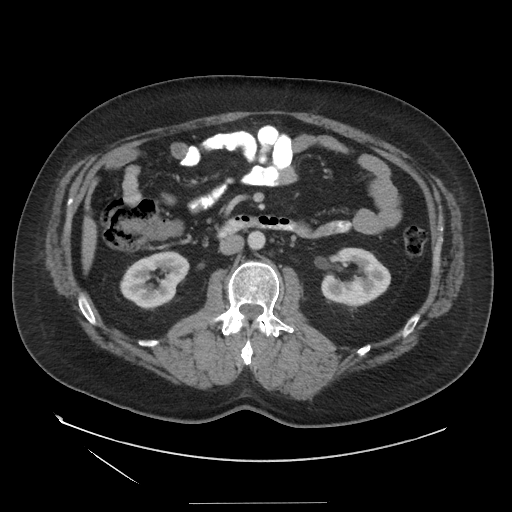
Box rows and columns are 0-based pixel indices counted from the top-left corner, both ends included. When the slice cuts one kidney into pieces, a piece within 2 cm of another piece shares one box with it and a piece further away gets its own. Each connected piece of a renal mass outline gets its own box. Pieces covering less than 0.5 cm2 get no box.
This is axial slice 75 of 129 (slice 1 is the lowest) of an arterial-phase abdominal CT with contrast; each pixel is 0.938 mm and the slice is 3.75 mm thick. Two kidney boxes on this slice; by box centre, from the image's left to its right: (1) Right kidney, box rows 250–309, columns 119–189 (outlined area 2,852 px, about 25.1 cm2). (2) Left kidney at rows 247–307, columns 320–391 (outlined area 2,995 px, about 26.3 cm2). This slice carries no renal mass outline.
Acquired at 140 kVp and reconstructed with the STANDARD kernel.